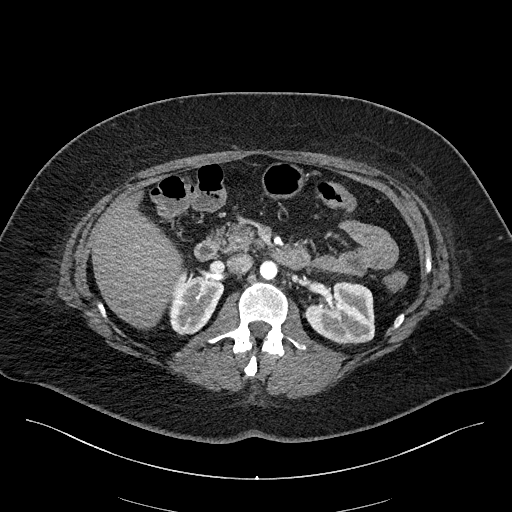
Axial slice 114 of 270 of a contrast-enhanced abdominal CT in the arterial phase (slice 1 is the lowest), 100 kVp, kernel I40f; 2.00 mm slice thickness and 0.855 mm pixels.
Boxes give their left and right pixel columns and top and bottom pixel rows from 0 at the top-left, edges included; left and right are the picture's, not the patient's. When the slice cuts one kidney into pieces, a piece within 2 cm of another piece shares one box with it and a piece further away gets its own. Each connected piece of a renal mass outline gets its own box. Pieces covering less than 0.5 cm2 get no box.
Two kidney boxes on this slice; by box centre, from the image's left to its right: (1) Right kidney in the box with left 169, top 271, right 224, bottom 335 (outlined area 2,499 px, about 18.3 cm2). (2) Left kidney in the box with left 304, top 281, right 374, bottom 344 (outlined area 3,452 px, about 25.3 cm2). No renal mass outline on this slice.